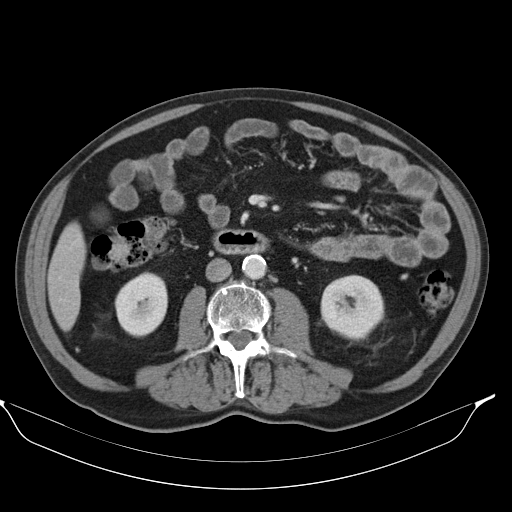
Axial slice 50 of 98 of a contrast-enhanced abdominal CT (slice 1 is the lowest), 130 kVp, kernel B30s; 5.00 mm slice thickness and 0.840 mm pixels.
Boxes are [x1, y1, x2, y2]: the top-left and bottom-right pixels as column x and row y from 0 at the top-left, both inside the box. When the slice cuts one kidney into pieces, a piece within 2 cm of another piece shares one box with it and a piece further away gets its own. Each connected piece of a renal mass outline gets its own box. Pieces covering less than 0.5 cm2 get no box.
Two boxes on this slice (two kidney boxes), listed by box centre from the image's left to its right. (1) Box [114, 272, 167, 337]: right kidney (outlined area 2,683 px, about 18.9 cm2). (2) Box [320, 275, 384, 343]: left kidney (outlined area 3,347 px, about 23.6 cm2). This slice carries no renal mass outline.